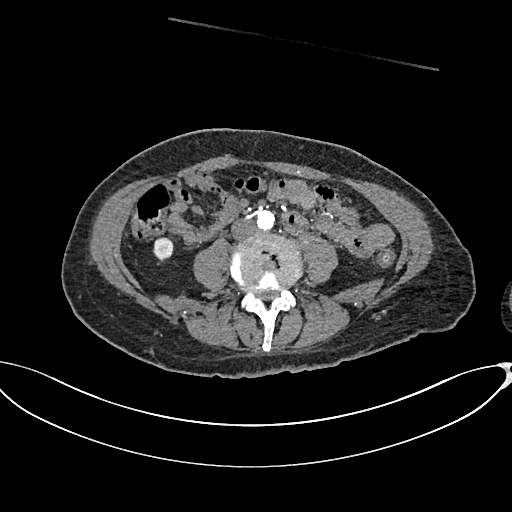
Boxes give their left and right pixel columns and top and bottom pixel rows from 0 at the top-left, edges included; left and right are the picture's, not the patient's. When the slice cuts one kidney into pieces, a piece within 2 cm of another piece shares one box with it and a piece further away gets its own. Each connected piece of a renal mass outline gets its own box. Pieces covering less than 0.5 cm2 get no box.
This is axial slice 271 of 665 (slice 1 is the lowest) of an arterial-phase abdominal CT with contrast; each pixel is 0.828 mm and the slice is 1.00 mm thick. Box with left 153, top 237, right 173, bottom 260: right kidney (outlined area 392 px, about 2.7 cm2). No renal mass is outlined on this slice.
Tube voltage 100 kVp; convolution kernel I26f.